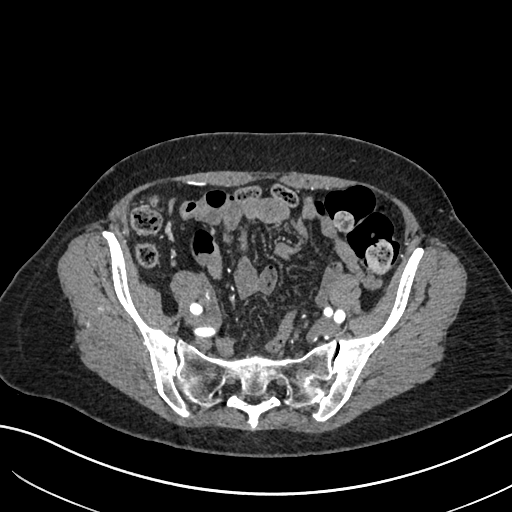
Axial slice 141 of 683 of a contrast-enhanced abdominal CT in the arterial phase (slice 1 is the lowest), 120 kVp, kernel I30f; 1.00 mm slice thickness and 0.738 mm pixels.
Neither a kidney nor a renal mass is outlined here. Only kidneys and renal masses are outlined anywhere in this scan; other structures are never outlined.